Contrast-enhanced abdominal CT, axial slice 108 of 269 (counted from the lowest slice); tube voltage 100 kVp, convolution kernel I30f; slices 5.00 mm thick, 0.732 mm per pixel.
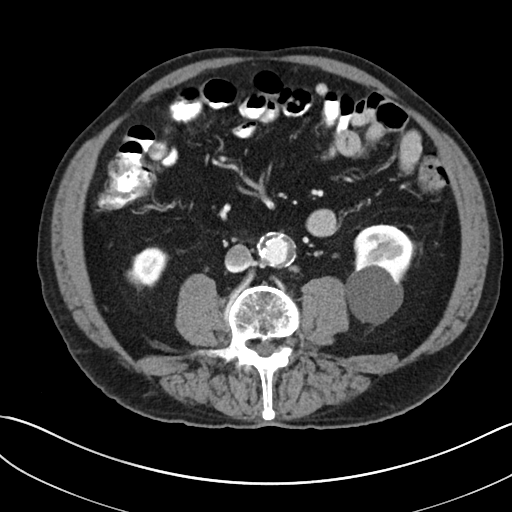
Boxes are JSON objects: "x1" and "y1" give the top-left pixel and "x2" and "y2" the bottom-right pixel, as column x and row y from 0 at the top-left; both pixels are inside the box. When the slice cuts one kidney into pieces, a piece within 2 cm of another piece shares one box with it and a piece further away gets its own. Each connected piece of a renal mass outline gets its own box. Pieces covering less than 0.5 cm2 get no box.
Two boxes on this slice (two kidney boxes), listed by box centre from the image's left to its right. (1) Box {"x1": 126, "y1": 247, "x2": 168, "y2": 289}: right kidney (outlined area 1,246 px, about 6.7 cm2). (2) Left kidney at {"x1": 344, "y1": 224, "x2": 416, "y2": 325} (outlined area 5,105 px, about 27.4 cm2). This slice carries no renal mass outline.